Abdominal CT with intravenous contrast, axial plane, 140 kVp, kernel I44f. Slice 28/86 from the bottom of the scan; thickness 3.00 mm; pixel size 0.977 mm.
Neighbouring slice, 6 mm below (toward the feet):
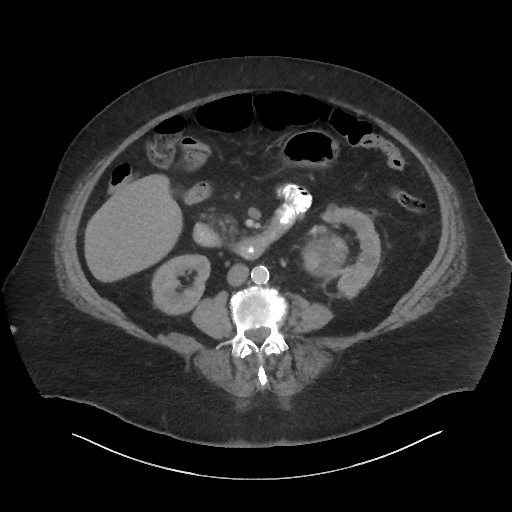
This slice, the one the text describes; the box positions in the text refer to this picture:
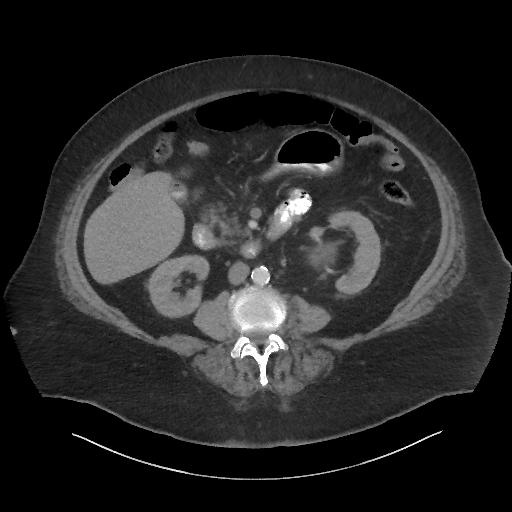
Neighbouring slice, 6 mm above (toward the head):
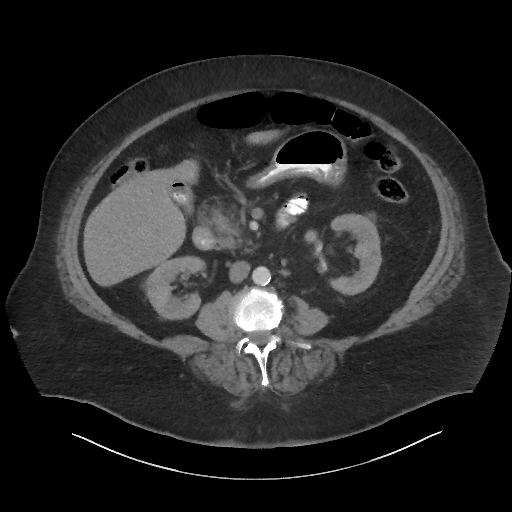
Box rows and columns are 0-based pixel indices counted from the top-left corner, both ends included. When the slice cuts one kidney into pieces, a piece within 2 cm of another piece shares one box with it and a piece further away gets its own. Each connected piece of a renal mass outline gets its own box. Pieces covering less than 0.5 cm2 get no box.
Two kidney boxes and one renal mass box on this slice; by box centre, from the image's left to its right: (1) Right kidney, box rows 255–318, columns 145–210 (outlined area 2,693 px, about 25.7 cm2). (2) Left renal mass at rows 247–264, columns 311–323 (outlined area 160 px, about 1.5 cm2). (3) Left kidney at rows 210–297, columns 318–381 (outlined area 3,056 px, about 29.1 cm2). This slice is near the end of the left renal mass toward the head, so the slices 6 mm below and 6 mm above it are shown as well; the boxes refer to this slice only.